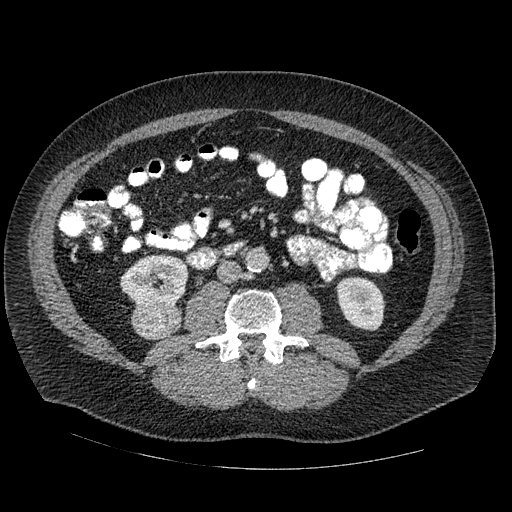
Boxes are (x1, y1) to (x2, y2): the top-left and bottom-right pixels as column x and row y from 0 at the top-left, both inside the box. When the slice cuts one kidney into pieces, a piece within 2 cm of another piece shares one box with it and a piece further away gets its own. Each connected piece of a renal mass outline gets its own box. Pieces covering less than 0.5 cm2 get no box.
Slice 246/445 of a contrast-enhanced abdominal CT in the arterial phase, counting up from the lowest; pixel size 0.863 mm, slice thickness 1.25 mm. Boxed on this slice (two kidney boxes and one renal mass box), listed by box centre from the image's left to its right: (1) Right kidney, box (120, 255) to (188, 308) (outlined area 2,805 px, about 20.9 cm2). (2) Right renal mass from (131, 304) to (182, 339) (outlined area 1,520 px, about 11.3 cm2). (3) Left kidney, box (336, 277) to (385, 331) (outlined area 2,042 px, about 15.2 cm2).
Tube voltage 120 kVp; convolution kernel STANDARD.